One axial slice (33 of 75, counting up from the lowest) of a contrast-enhanced abdominal CT acquired with 140 kVp, kernel B30f; each pixel is 0.875 mm and the slice is 3.00 mm thick.
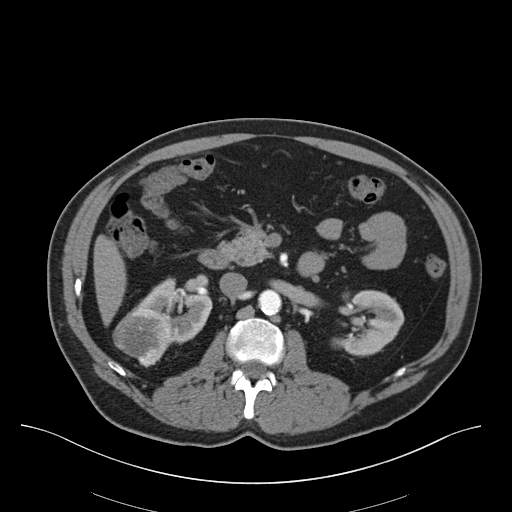
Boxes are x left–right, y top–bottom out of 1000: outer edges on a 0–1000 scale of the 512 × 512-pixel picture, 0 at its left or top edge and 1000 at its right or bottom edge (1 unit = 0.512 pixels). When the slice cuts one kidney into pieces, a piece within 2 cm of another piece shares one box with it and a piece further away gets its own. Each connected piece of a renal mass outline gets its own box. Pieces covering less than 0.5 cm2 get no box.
Boxed on this slice (two kidney boxes and one renal mass box), listed by box centre from the image's left to its right: (1) Box x 221–340, y 598–719 out of 1000: right renal mass (outlined area 2,502 px, about 19.2 cm2). (2) Right kidney, box x 268–416, y 541–674 out of 1000 (outlined area 2,688 px, about 20.6 cm2). (3) Box x 646–791, y 566–697 out of 1000: left kidney (outlined area 3,131 px, about 24.0 cm2).